Arterial-phase contrast-enhanced abdominal CT, axial slice 270 of 591 (counted from the lowest slice); tube voltage 140 kVp, convolution kernel I30f; slices 1.00 mm thick, 0.703 mm per pixel.
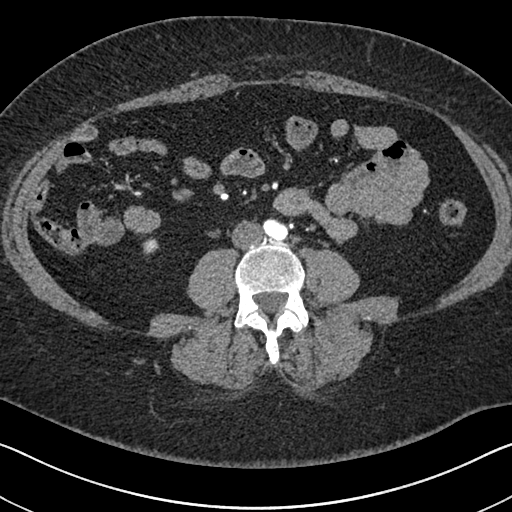
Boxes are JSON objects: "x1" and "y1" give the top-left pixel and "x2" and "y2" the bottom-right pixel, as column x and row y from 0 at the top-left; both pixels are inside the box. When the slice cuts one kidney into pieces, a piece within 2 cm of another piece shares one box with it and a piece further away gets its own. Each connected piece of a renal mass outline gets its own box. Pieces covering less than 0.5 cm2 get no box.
Box {"x1": 143, "y1": 244, "x2": 156, "y2": 254}: right kidney (outlined area 112 px, about 0.6 cm2). No renal mass outline on this slice.